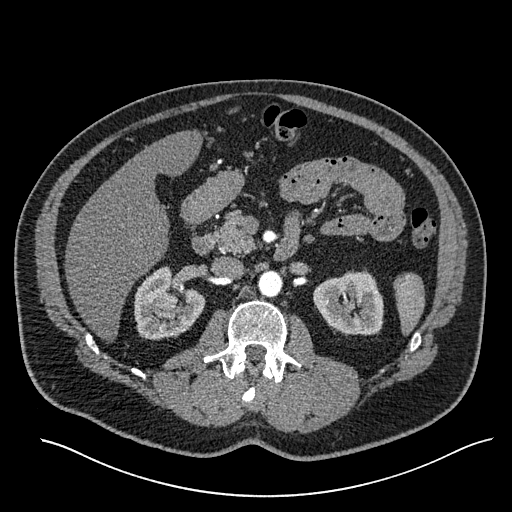
One axial slice (350 of 527, counting up from the lowest) of an arterial-phase abdominal CT acquired with 120 kVp, kernel I30f; each pixel is 0.859 mm and the slice is 1.00 mm thick.
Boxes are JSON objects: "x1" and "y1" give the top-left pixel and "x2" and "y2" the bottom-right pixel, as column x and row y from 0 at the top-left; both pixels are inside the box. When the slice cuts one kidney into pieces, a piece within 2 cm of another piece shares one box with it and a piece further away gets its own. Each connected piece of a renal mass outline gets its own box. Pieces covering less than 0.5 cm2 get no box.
Boxed on this slice (two kidney boxes and one renal mass box), listed by box centre from the image's left to its right: (1) Right renal mass, box {"x1": 155, "y1": 292, "x2": 177, "y2": 310} (outlined area 369 px, about 2.7 cm2). (2) Box {"x1": 134, "y1": 265, "x2": 205, "y2": 340}: right kidney (outlined area 3,403 px, about 25.1 cm2). (3) Box {"x1": 313, "y1": 269, "x2": 383, "y2": 336}: left kidney (outlined area 3,598 px, about 26.6 cm2).